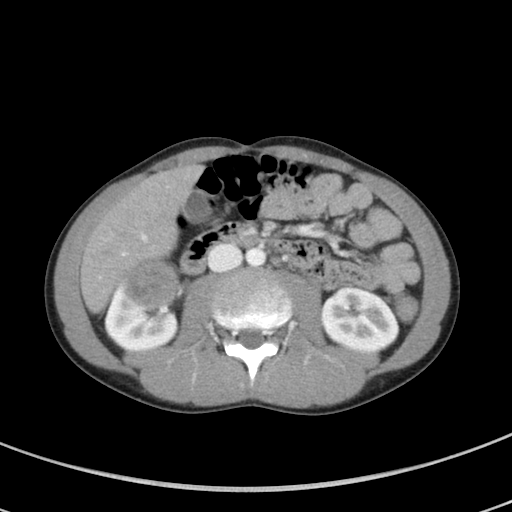
Arterial-phase contrast-enhanced abdominal CT, axial slice 36 of 94 (counted from the lowest slice); tube voltage 100 kVp, convolution kernel I41f; slices 5.00 mm thick, 0.551 mm per pixel.
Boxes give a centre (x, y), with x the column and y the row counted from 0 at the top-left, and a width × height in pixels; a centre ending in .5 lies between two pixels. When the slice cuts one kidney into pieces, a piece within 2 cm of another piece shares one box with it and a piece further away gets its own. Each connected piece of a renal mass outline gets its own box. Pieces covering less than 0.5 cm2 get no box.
Two kidney boxes and one renal mass box on this slice; by box centre, from the image's left to its right: (1) Box centre (141.5, 312.5), 76 × 76 pixels: right kidney (outlined area 3,171 px, about 9.6 cm2). (2) Right renal mass, box centre (150.5, 283.5), 58 × 52 pixels (outlined area 2,272 px, about 6.9 cm2). (3) Left kidney, box centre (359.5, 319), 78 × 67 pixels (outlined area 3,943 px, about 12.0 cm2).